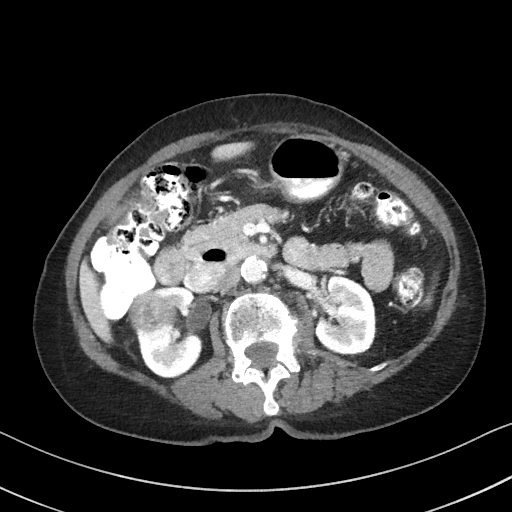
Contrast-enhanced abdominal CT, axial slice 56 of 92 (counted from the lowest slice); tube voltage 100 kVp, convolution kernel I41f; slices 3.00 mm thick, 0.684 mm per pixel.
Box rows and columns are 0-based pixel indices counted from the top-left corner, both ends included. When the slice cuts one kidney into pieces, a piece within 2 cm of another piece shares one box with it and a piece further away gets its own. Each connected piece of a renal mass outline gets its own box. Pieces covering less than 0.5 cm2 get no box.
Two kidney boxes and one renal mass box on this slice; by box centre, from the image's left to its right: (1) Box rows 290–332, columns 127–170: right renal mass (outlined area 1,362 px, about 6.4 cm2). (2) Box rows 287–378, columns 133–202: right kidney (outlined area 3,888 px, about 18.2 cm2). (3) Box rows 276–354, columns 315–376: left kidney (outlined area 3,830 px, about 17.9 cm2).